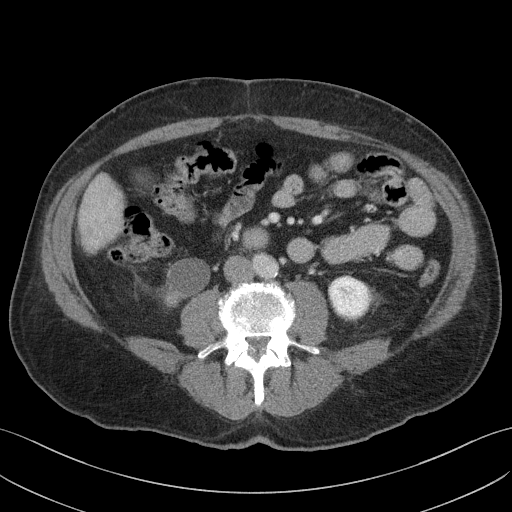
Abdominal CT with intravenous contrast, axial plane, 100 kVp, kernel I41f. Slice 56/103 from the bottom of the scan; thickness 4.00 mm; pixel size 0.742 mm.
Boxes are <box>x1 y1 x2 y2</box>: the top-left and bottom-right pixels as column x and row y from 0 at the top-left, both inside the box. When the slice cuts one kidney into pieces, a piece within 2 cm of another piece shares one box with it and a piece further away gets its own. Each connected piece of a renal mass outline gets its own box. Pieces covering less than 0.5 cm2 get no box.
Two kidney boxes on this slice; by box centre, from the image's left to its right: (1) At <box>160 258 210 307</box>: right kidney (outlined area 1,705 px, about 9.4 cm2). (2) Left kidney: <box>327 275 370 319</box> (outlined area 1,526 px, about 8.4 cm2). No renal mass is outlined on this slice.